Arterial-phase contrast-enhanced abdominal CT, axial slice 221 of 673 (counted from the lowest slice); tube voltage 120 kVp, convolution kernel I30f; slices 1.00 mm thick, 0.855 mm per pixel.
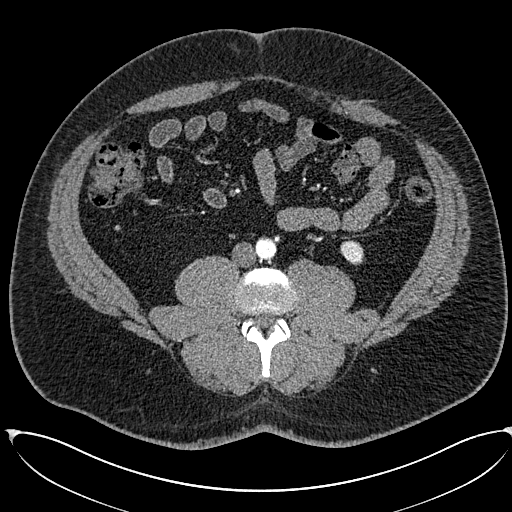
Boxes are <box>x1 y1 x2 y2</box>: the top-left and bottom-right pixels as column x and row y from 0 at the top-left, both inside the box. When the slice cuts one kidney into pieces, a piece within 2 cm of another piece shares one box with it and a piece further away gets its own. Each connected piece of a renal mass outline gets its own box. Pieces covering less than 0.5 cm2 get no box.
Left kidney: <box>340 239 364 265</box> (outlined area 467 px, about 3.4 cm2). This slice carries no renal mass outline.